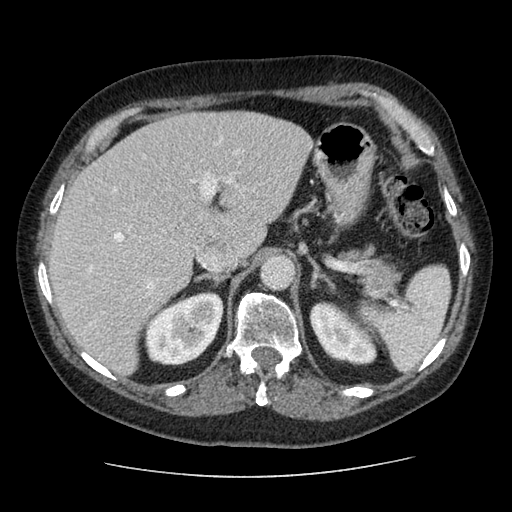
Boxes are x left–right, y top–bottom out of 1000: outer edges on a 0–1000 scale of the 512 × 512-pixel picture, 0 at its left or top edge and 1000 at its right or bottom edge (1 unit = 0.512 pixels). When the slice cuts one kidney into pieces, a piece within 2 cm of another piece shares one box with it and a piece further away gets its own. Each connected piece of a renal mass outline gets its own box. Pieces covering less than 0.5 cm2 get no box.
This is axial slice 71 of 96 (slice 1 is the lowest) of an arterial-phase abdominal CT with contrast; each pixel is 0.689 mm and the slice is 2.50 mm thick. Two kidney boxes and one renal mass box on this slice; by box centre, from the image's left to its right: (1) Right kidney, box x 277–438, y 566–715 out of 1000 (outlined area 4,023 px, about 19.1 cm2). (2) Right renal mass, box x 375–414, y 586–631 out of 1000 (outlined area 332 px, about 1.6 cm2). (3) Box x 604–736, y 588–715 out of 1000: left kidney (outlined area 2,964 px, about 14.1 cm2).
Scan settings: 120 kVp, STANDARD reconstruction kernel.